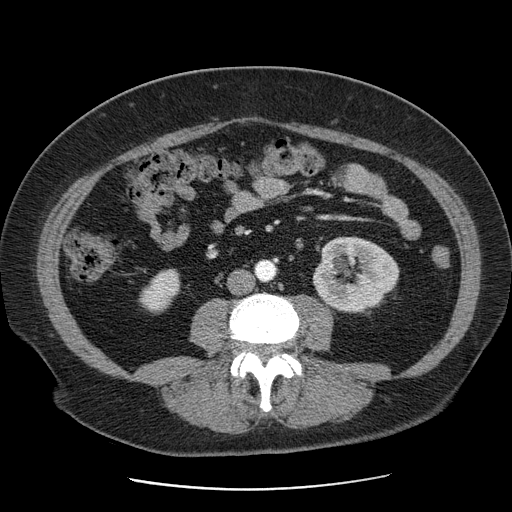
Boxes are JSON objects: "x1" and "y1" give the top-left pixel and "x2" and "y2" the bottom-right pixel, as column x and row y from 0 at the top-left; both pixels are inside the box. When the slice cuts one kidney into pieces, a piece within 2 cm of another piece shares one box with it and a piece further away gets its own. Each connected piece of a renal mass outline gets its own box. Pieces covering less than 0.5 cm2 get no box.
Contrast-enhanced abdominal CT, axial slice 23 of 103 (counted from the lowest slice); 2.50 mm thick, 0.736 mm per pixel. Boxed on this slice (two kidney boxes), listed by box centre from the image's left to its right: (1) Box {"x1": 138, "y1": 268, "x2": 180, "y2": 314}: right kidney (outlined area 1,312 px, about 7.1 cm2). (2) Left kidney, box {"x1": 313, "y1": 236, "x2": 398, "y2": 312} (outlined area 4,961 px, about 26.9 cm2). No renal mass outline on this slice.
Acquired at 120 kVp and reconstructed with the STANDARD kernel.